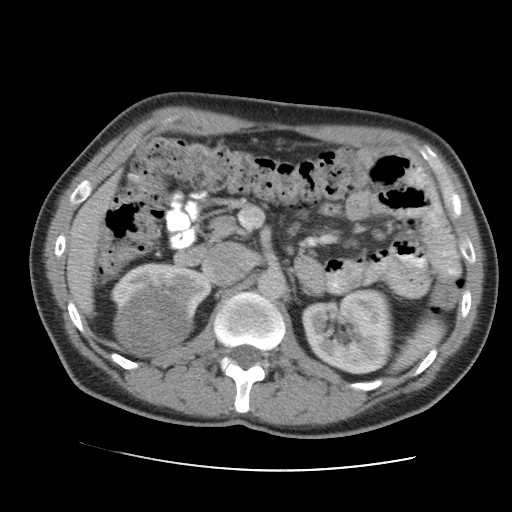
Axial slice 74 of 105 of a contrast-enhanced abdominal CT in the arterial phase (slice 1 is the lowest), 120 kVp, kernel STANDARD; 5.00 mm slice thickness and 0.707 mm pixels.
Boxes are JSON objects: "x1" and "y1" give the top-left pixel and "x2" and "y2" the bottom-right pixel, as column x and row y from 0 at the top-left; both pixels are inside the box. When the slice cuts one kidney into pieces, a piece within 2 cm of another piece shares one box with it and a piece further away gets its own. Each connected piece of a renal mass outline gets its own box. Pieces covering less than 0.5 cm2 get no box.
Two kidney boxes and one renal mass box on this slice; by box centre, from the image's left to its right: (1) Right renal mass at {"x1": 113, "y1": 285, "x2": 195, "y2": 357} (outlined area 4,320 px, about 21.6 cm2). (2) Right kidney at {"x1": 110, "y1": 262, "x2": 212, "y2": 312} (outlined area 2,809 px, about 14.0 cm2). (3) Box {"x1": 301, "y1": 288, "x2": 393, "y2": 374}: left kidney (outlined area 6,174 px, about 30.9 cm2).